Abdominal CT with intravenous contrast, axial plane, 100 kVp, kernel I40f. Slice 301/470 from the bottom of the scan; thickness 2.00 mm; pixel size 0.824 mm.
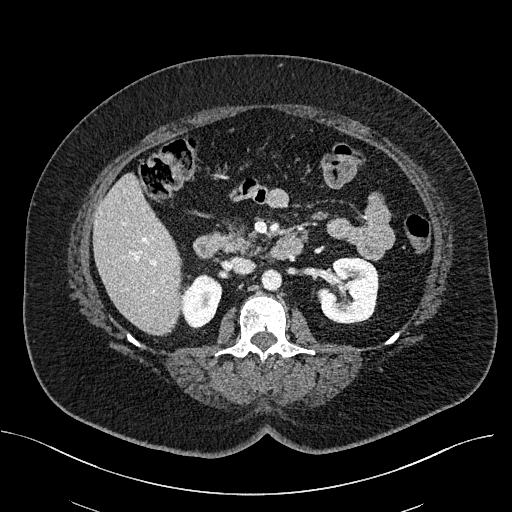
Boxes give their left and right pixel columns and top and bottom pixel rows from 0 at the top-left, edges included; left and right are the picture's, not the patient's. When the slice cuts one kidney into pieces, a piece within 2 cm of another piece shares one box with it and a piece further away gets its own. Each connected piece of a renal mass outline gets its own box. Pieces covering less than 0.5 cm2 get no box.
Two boxes on this slice (two kidney boxes), listed by box centre from the image's left to its right. (1) Box with left 178, top 273, right 222, bottom 328: right kidney (outlined area 1,763 px, about 12.0 cm2). (2) Left kidney, the box with left 316, top 257, right 378, bottom 323 (outlined area 3,300 px, about 22.4 cm2). This slice carries no renal mass outline.